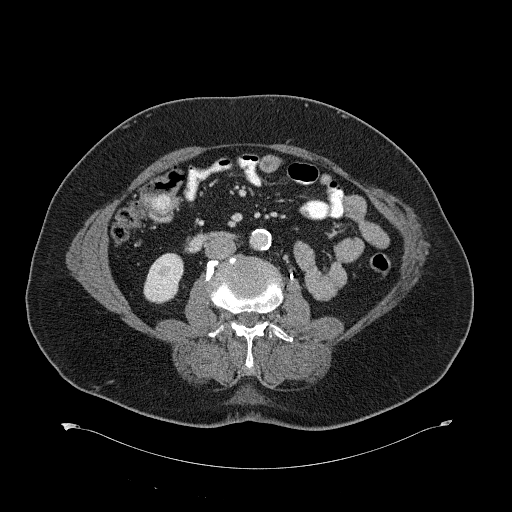
Axial slice 315 of 734 of a contrast-enhanced abdominal CT (slice 1 is the lowest), 120 kVp, kernel B31f; 2.00 mm slice thickness and 0.971 mm pixels.
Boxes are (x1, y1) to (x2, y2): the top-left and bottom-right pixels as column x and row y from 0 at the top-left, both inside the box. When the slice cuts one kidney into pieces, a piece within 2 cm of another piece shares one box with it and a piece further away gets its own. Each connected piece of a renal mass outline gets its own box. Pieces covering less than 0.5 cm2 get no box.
Box (143, 253) to (183, 303): right kidney (outlined area 1,541 px, about 14.5 cm2). No renal mass is outlined on this slice.